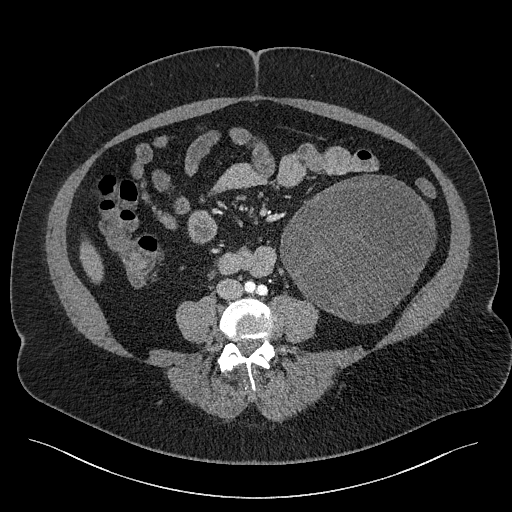
One axial slice (73 of 301, counting up from the lowest) of a contrast-enhanced abdominal CT acquired with 120 kVp, kernel I40f; each pixel is 0.859 mm and the slice is 2.00 mm thick.
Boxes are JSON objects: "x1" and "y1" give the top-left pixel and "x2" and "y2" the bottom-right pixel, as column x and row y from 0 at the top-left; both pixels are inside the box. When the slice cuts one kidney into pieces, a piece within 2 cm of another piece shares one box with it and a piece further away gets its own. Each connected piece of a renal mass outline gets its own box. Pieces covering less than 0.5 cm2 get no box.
Box {"x1": 280, "y1": 174, "x2": 435, "y2": 323}: left renal mass (outlined area 16,928 px, about 125.0 cm2); no kidney outline appears on this slice, but the same outlined renal mass comes within 1 cm of the kidney on another slice.